One axial slice (66 of 88, counting up from the lowest) of a contrast-enhanced abdominal CT acquired with 100 kVp, kernel I40f; each pixel is 0.674 mm and the slice is 5.00 mm thick.
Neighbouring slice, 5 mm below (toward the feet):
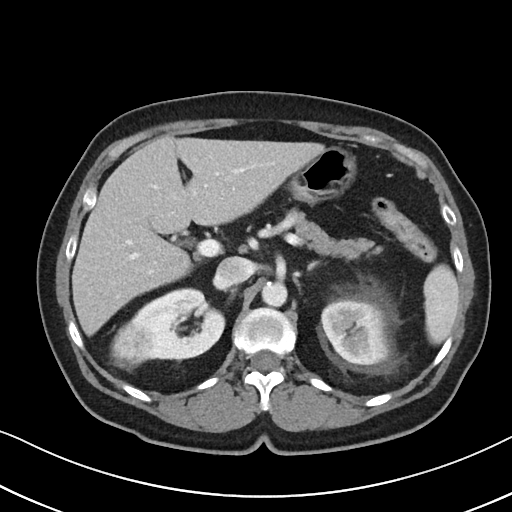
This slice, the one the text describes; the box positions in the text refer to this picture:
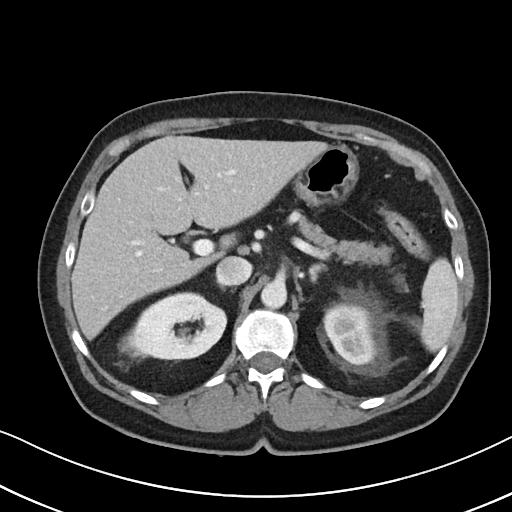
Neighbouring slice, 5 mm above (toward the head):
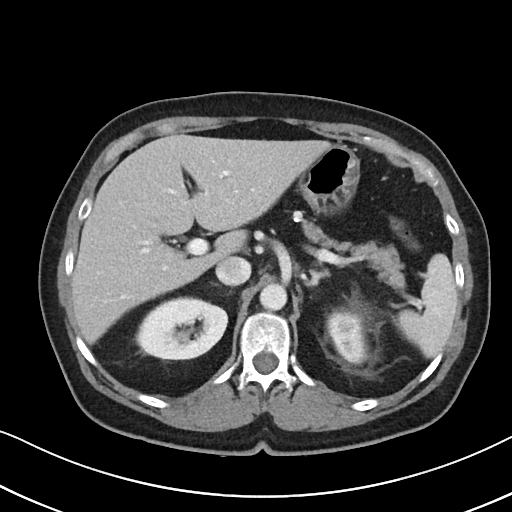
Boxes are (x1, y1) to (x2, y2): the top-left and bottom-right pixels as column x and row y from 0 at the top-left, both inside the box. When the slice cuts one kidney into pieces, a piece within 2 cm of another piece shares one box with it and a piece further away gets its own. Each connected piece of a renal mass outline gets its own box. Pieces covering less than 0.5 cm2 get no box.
Boxed on this slice (two kidney boxes and one renal mass box), listed by box centre from the image's left to its right: (1) Right renal mass, box (119, 329) to (146, 360) (outlined area 417 px, about 1.9 cm2). (2) Right kidney, box (134, 292) to (226, 358) (outlined area 4,593 px, about 20.9 cm2). (3) Left kidney from (322, 302) to (375, 365) (outlined area 2,659 px, about 12.1 cm2). This slice lies near the end of the right renal mass toward the head; the slices 5 mm below and 5 mm above it are shown too, and the boxes mark positions on this slice only.